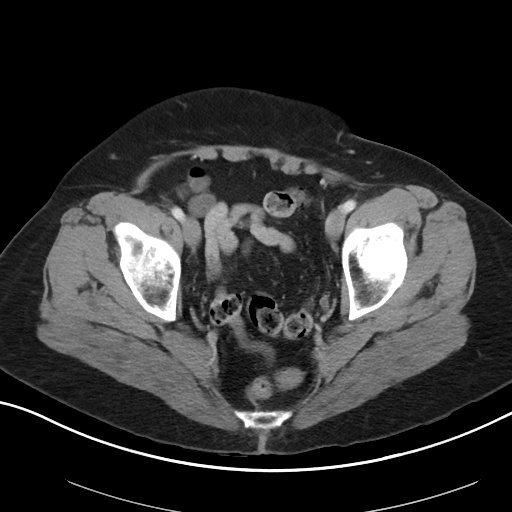
One axial slice (20 of 88, counting up from the lowest) of an arterial-phase abdominal CT acquired with 100 kVp, kernel I40f; each pixel is 0.705 mm and the slice is 5.00 mm thick.
Outside the outlined region: no kidney outline and no renal mass outline on this slice. The scan's outlines cover only kidneys and renal masses; no other organ is outlined.